Axial slice 493 of 634 of a contrast-enhanced abdominal CT in the arterial phase (slice 1 is the lowest), 120 kVp, kernel B20f; 1.00 mm slice thickness and 0.838 mm pixels.
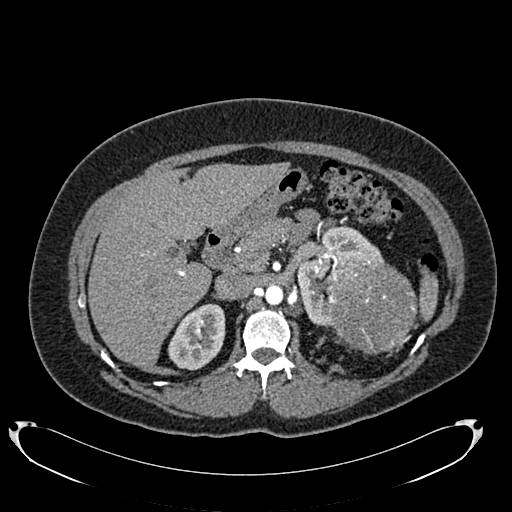
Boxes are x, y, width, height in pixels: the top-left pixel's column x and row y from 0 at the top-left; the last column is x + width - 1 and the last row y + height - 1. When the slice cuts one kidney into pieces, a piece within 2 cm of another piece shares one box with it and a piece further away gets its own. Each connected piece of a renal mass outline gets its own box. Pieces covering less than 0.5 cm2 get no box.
Three boxes on this slice (two kidney boxes and one renal mass box), listed by box centre from the image's left to its right. (1) Box x 167, y 303, width 59, height 68: right kidney (outlined area 2,825 px, about 19.8 cm2). (2) Left kidney, box x 297, y 226, width 88, height 101 (outlined area 3,714 px, about 26.1 cm2). (3) Box x 325, y 258, width 94, height 97: left renal mass (outlined area 6,847 px, about 48.1 cm2).